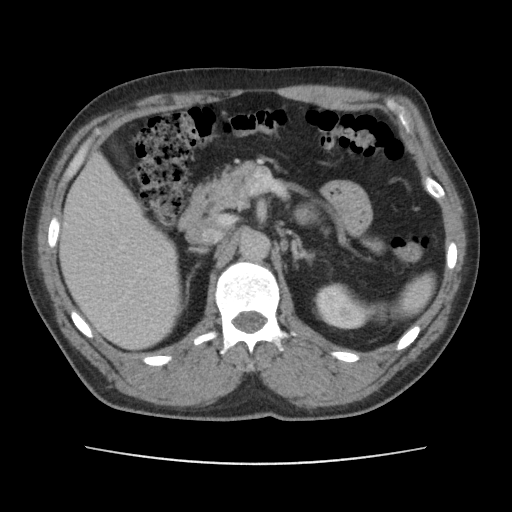
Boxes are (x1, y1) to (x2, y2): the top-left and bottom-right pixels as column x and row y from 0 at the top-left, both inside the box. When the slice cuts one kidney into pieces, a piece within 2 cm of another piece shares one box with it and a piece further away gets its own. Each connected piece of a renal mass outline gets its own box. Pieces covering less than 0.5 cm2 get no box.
Arterial-phase contrast-enhanced abdominal CT, axial slice 74 of 101 (counted from the lowest slice); 5.00 mm thick, 0.755 mm per pixel. Box (313, 282) to (372, 329): left kidney (outlined area 2,013 px, about 11.5 cm2). No renal mass outline on this slice.
Tube voltage 120 kVp; convolution kernel FC14.